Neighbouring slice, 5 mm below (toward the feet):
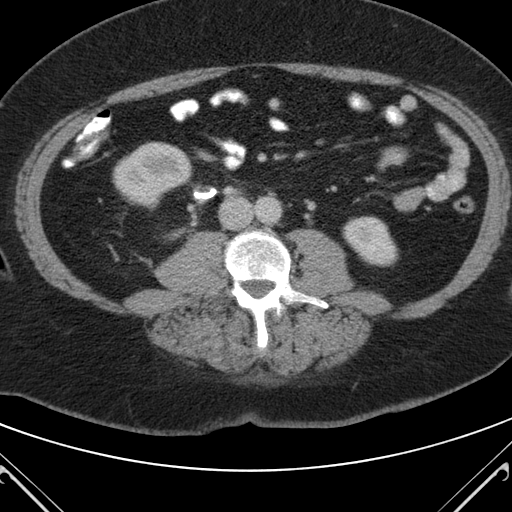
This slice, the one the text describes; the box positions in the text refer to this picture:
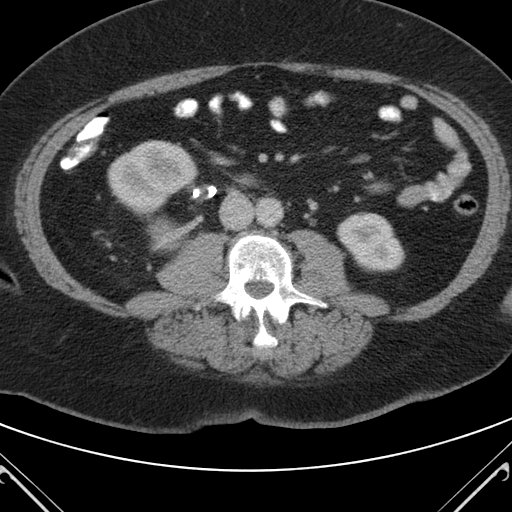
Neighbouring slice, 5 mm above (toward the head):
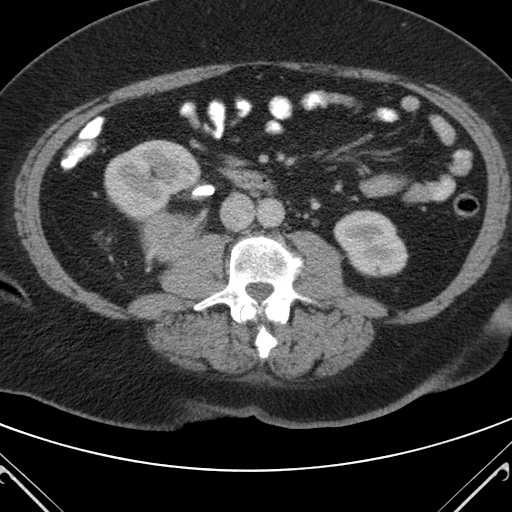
Abdominal CT with intravenous contrast, arterial phase, axial plane, 120 kVp, kernel B. Slice 54/98 from the bottom of the scan; thickness 5.00 mm; pixel size 0.703 mm.
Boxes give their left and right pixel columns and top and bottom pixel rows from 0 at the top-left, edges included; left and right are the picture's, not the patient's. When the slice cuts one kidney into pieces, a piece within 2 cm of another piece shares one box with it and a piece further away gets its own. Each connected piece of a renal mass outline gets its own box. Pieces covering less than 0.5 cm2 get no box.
Two kidney boxes and one renal mass box on this slice; by box centre, from the image's left to its right: (1) Right kidney in the box with left 107, top 140, right 198, bottom 214 (outlined area 4,744 px, about 23.5 cm2). (2) Box with left 148, top 217, right 185, bottom 253: right renal mass (outlined area 1,102 px, about 5.4 cm2). (3) Left kidney in the box with left 336, top 212, right 405, bottom 272 (outlined area 2,993 px, about 14.8 cm2). This slice is near the end of the right renal mass toward the feet, so the slices 5 mm below and 5 mm above it are shown as well; the boxes refer to this slice only.